Abdominal CT with intravenous contrast, arterial phase, axial plane, 120 kVp, kernel STANDARD. Slice 97/186 from the bottom of the scan; thickness 2.50 mm; pixel size 0.742 mm.
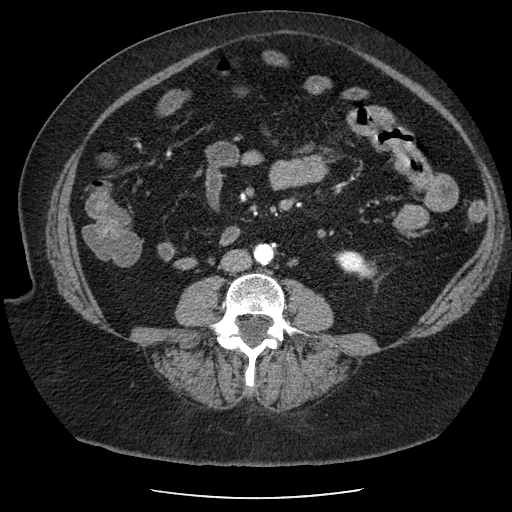
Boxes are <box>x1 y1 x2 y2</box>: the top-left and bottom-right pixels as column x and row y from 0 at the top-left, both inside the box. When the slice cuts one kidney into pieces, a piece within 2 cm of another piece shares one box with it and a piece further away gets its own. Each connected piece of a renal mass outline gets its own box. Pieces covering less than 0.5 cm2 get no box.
Left kidney: <box>334 250 377 279</box> (outlined area 824 px, about 4.5 cm2). No renal mass outline on this slice.